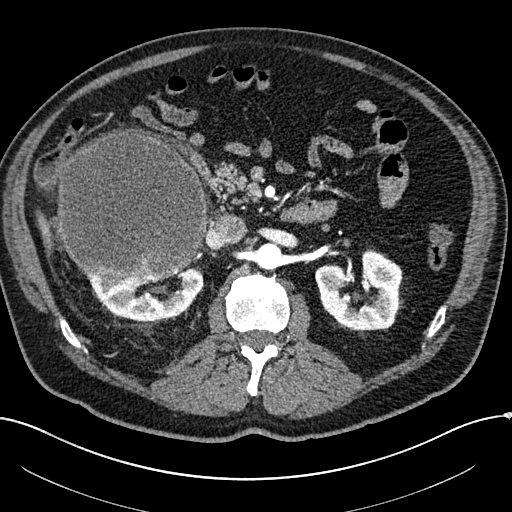
Abdominal CT with intravenous contrast, arterial phase, axial plane, 100 kVp, kernel I30f. Slice 125/304 from the bottom of the scan; thickness 2.00 mm; pixel size 0.809 mm.
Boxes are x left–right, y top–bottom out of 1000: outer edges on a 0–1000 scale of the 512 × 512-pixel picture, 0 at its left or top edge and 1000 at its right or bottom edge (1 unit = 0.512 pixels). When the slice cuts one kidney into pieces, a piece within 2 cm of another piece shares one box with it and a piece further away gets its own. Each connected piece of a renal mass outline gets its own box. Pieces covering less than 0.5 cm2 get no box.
Three boxes on this slice (two kidney boxes and one renal mass box), listed by box centre from the image's left to its right. (1) Box x 109–406, y 250–553 out of 1000: right renal mass (outlined area 18,939 px, about 123.8 cm2). (2) Right kidney, box x 168–398, y 521–627 out of 1000 (outlined area 3,598 px, about 23.5 cm2). (3) Left kidney at x 615–787, y 486–646 out of 1000 (outlined area 4,917 px, about 32.1 cm2).